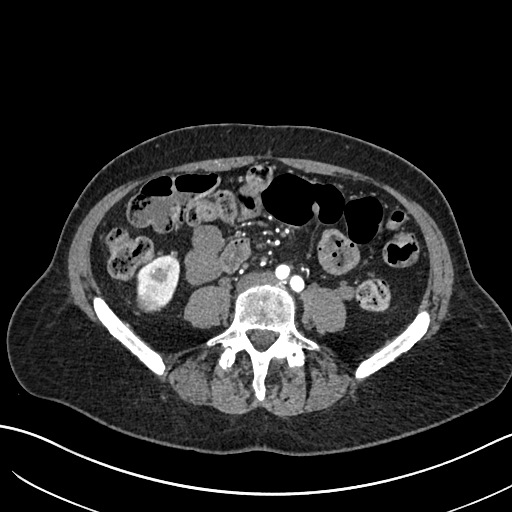
Abdominal CT with intravenous contrast, arterial phase, axial plane, 120 kVp, kernel I30f. Slice 256/683 from the bottom of the scan; thickness 1.00 mm; pixel size 0.738 mm.
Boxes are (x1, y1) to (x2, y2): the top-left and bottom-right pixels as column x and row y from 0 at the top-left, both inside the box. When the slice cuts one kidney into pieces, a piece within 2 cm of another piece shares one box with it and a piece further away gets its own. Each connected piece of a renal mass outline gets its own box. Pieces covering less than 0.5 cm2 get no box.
Two boxes on this slice (one kidney box and one renal mass box), listed by box centre from the image's left to its right. (1) Right renal mass from (136, 283) to (164, 311) (outlined area 677 px, about 3.7 cm2). (2) Box (136, 254) to (179, 306): right kidney (outlined area 1,294 px, about 7.1 cm2).